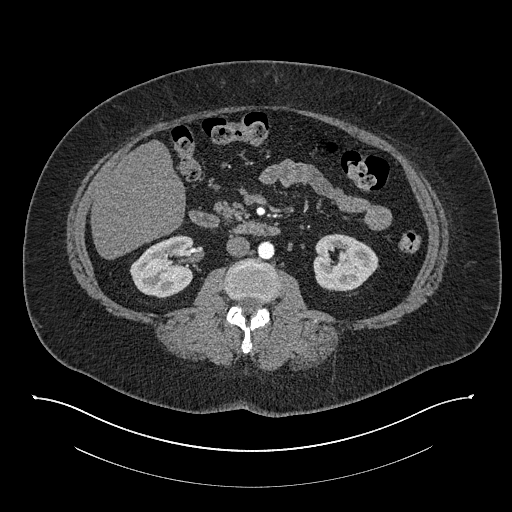
Axial slice 422 of 673 of a contrast-enhanced abdominal CT in the arterial phase (slice 1 is the lowest), 140 kVp, kernel I30f; 1.00 mm slice thickness and 0.957 mm pixels.
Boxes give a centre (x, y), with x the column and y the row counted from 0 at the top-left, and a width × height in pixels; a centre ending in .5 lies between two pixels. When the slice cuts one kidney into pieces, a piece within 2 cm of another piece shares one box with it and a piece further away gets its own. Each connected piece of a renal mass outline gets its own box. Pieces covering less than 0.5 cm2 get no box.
Two boxes on this slice (two kidney boxes), listed by box centre from the image's left to its right. (1) Right kidney in a box with centre (161.5, 266.5), 66 × 64 pixels (outlined area 3,055 px, about 28.0 cm2). (2) Left kidney in a box with centre (345.5, 262), 66 × 59 pixels (outlined area 2,884 px, about 26.4 cm2). This slice carries no renal mass outline.